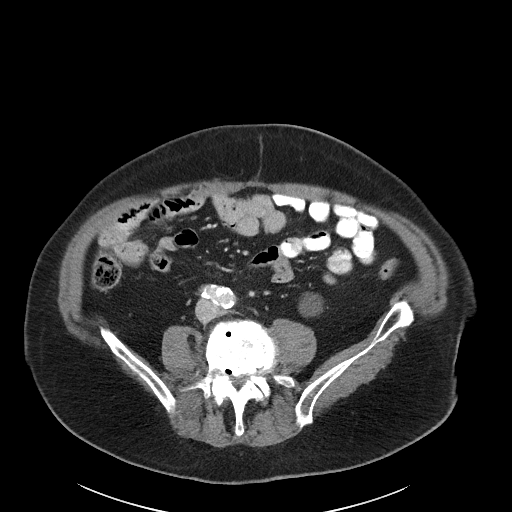
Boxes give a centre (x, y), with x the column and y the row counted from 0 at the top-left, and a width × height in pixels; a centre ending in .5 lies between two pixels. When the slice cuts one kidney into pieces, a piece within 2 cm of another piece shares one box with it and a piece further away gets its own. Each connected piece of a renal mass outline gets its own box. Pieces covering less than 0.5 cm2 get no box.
Slice 44/89 of a contrast-enhanced abdominal CT in the arterial phase, counting up from the lowest; pixel size 0.885 mm, slice thickness 5.00 mm. Box centre (310.5, 304), 24 × 25 pixels: left kidney (outlined area 473 px, about 3.7 cm2). This slice carries no renal mass outline.
Acquired at 100 kVp and reconstructed with the I40f kernel.